Axial slice 237 of 602 of a contrast-enhanced abdominal CT in the arterial phase (slice 1 is the lowest), 120 kVp, kernel I30f; 1.00 mm slice thickness and 0.799 mm pixels.
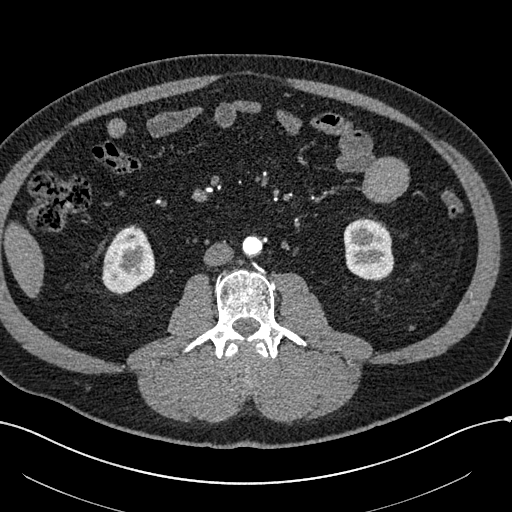
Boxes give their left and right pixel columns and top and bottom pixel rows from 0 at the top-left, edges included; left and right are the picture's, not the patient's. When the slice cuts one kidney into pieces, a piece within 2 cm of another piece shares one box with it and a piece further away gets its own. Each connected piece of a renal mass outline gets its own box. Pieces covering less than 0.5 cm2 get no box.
Two kidney boxes and one renal mass box on this slice; by box centre, from the image's left to its right: (1) Right renal mass, the box with left 104, top 255, right 120, bottom 269 (outlined area 199 px, about 1.3 cm2). (2) Right kidney, the box with left 101, top 225, right 155, bottom 295 (outlined area 2,553 px, about 16.3 cm2). (3) Left kidney in the box with left 343, top 218, right 394, bottom 280 (outlined area 2,625 px, about 16.8 cm2).